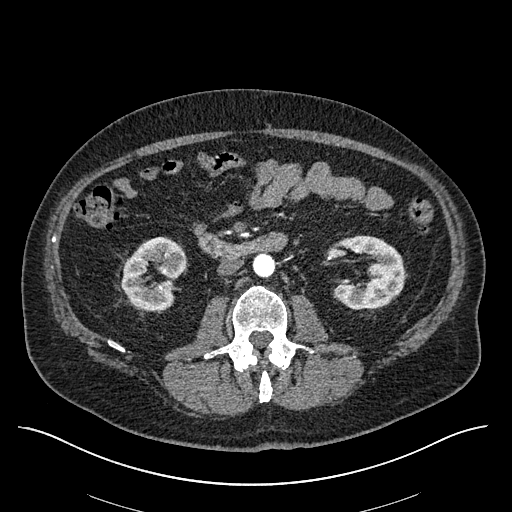
Axial slice 295 of 670 of a contrast-enhanced abdominal CT in the arterial phase (slice 1 is the lowest), 120 kVp, kernel I30f; 1.00 mm slice thickness and 0.861 mm pixels.
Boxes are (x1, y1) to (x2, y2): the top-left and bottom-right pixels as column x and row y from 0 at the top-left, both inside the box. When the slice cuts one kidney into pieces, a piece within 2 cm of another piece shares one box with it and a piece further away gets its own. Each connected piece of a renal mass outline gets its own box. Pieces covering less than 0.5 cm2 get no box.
Boxed on this slice (two kidney boxes and one renal mass box), listed by box centre from the image's left to its right: (1) Right kidney from (121, 236) to (187, 312) (outlined area 3,244 px, about 24.1 cm2). (2) Right renal mass from (164, 247) to (183, 264) (outlined area 279 px, about 2.1 cm2). (3) Left kidney from (332, 235) to (404, 309) (outlined area 3,739 px, about 27.7 cm2).